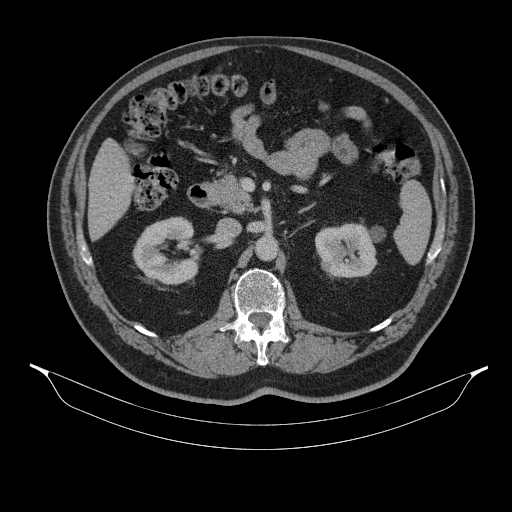
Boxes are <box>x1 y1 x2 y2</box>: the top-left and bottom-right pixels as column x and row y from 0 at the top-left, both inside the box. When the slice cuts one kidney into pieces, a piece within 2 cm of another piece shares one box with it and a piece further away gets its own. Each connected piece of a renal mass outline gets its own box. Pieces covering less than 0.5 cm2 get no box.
This is axial slice 210 of 314 (slice 1 is the lowest) of an abdominal CT with contrast; each pixel is 0.934 mm and the slice is 2.50 mm thick. Two kidney boxes on this slice; by box centre, from the image's left to its right: (1) Right kidney: <box>132 216 199 284</box> (outlined area 3,258 px, about 28.4 cm2). (2) Left kidney: <box>315 223 385 277</box> (outlined area 2,996 px, about 26.1 cm2). No renal mass is outlined on this slice.
Scan settings: 130 kVp, B31s reconstruction kernel.